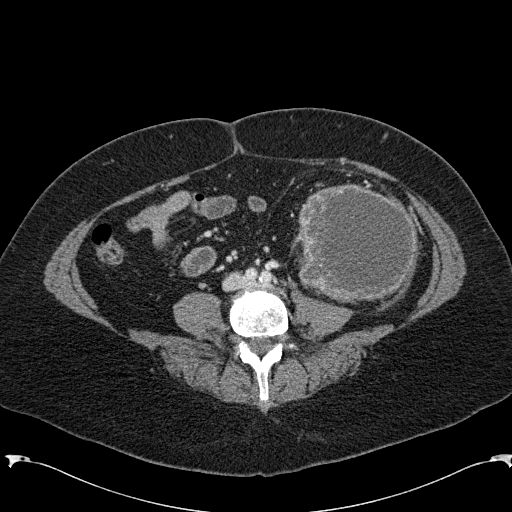
Arterial-phase contrast-enhanced abdominal CT, axial slice 43 of 285 (counted from the lowest slice); tube voltage 120 kVp, convolution kernel B31f; slices 2.00 mm thick, 0.762 mm per pixel.
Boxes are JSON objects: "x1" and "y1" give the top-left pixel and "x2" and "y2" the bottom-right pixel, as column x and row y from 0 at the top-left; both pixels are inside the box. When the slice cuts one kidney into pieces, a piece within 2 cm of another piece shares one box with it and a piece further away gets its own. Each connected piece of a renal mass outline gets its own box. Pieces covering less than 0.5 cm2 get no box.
Box {"x1": 291, "y1": 183, "x2": 417, "y2": 303}: left renal mass (outlined area 11,671 px, about 67.7 cm2); this slice has no kidney outline, though on another slice the same outlined renal mass lies within 1 cm of the kidney.